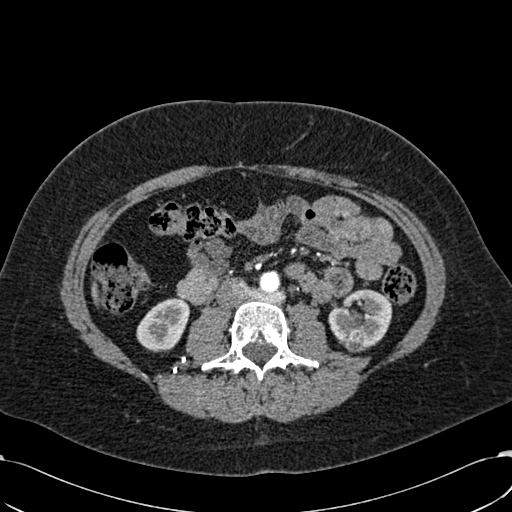
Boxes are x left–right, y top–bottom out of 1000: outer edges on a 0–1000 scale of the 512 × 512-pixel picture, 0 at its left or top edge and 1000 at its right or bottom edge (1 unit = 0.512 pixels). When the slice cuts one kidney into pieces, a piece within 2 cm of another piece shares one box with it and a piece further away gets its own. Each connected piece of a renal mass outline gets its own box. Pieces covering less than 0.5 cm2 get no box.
This is axial slice 292 of 532 (slice 1 is the lowest) of an arterial-phase abdominal CT with contrast; each pixel is 0.713 mm and the slice is 1.00 mm thick. Three boxes on this slice (two kidney boxes and one renal mass box), listed by box centre from the image's left to its right. (1) Box x 266–373, y 580–689 out of 1000: right kidney (outlined area 2,112 px, about 10.7 cm2). (2) Box x 672–715, y 660–689 out of 1000: left renal mass (outlined area 252 px, about 1.3 cm2). (3) Left kidney at x 641–768, y 564–682 out of 1000 (outlined area 2,693 px, about 13.7 cm2).
Scan settings: 120 kVp, B30f reconstruction kernel.